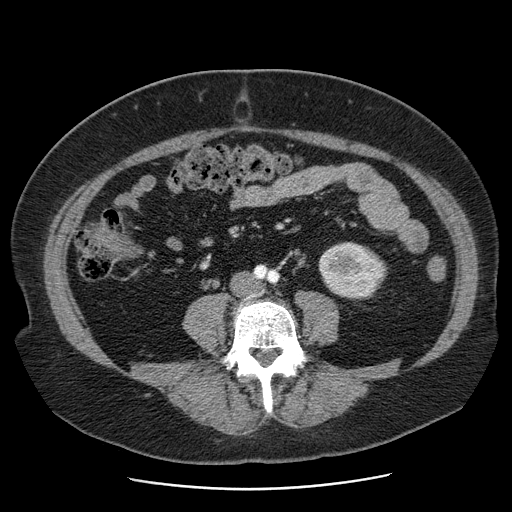
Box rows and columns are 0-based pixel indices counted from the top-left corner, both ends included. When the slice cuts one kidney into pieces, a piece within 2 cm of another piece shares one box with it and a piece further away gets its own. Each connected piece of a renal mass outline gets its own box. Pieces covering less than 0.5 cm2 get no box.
Contrast-enhanced abdominal CT, axial slice 16 of 103 (counted from the lowest slice); 2.50 mm thick, 0.736 mm per pixel. Left kidney at rows 242–299, columns 318–388 (outlined area 3,047 px, about 16.5 cm2). No renal mass outline on this slice.
Acquired at 120 kVp and reconstructed with the STANDARD kernel.